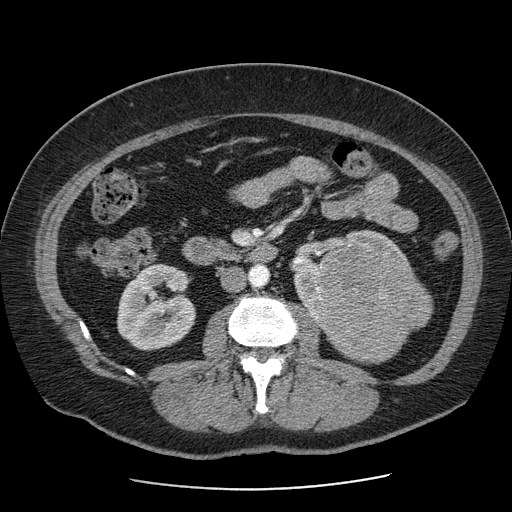
One axial slice (37 of 103, counting up from the lowest) of a contrast-enhanced abdominal CT acquired with 120 kVp, kernel STANDARD; each pixel is 0.736 mm and the slice is 2.50 mm thick.
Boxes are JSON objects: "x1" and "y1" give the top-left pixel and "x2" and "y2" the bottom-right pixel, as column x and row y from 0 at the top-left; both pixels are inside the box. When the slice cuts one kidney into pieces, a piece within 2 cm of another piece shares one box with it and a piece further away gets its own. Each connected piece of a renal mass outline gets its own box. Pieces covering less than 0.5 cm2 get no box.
Two kidney boxes and one renal mass box on this slice; by box centre, from the image's left to its right: (1) Box {"x1": 116, "y1": 263, "x2": 195, "y2": 350}: right kidney (outlined area 5,217 px, about 28.3 cm2). (2) Box {"x1": 294, "y1": 230, "x2": 413, "y2": 328}: left kidney (outlined area 2,462 px, about 13.3 cm2). (3) Box {"x1": 318, "y1": 246, "x2": 433, "y2": 364}: left renal mass (outlined area 10,201 px, about 55.3 cm2).